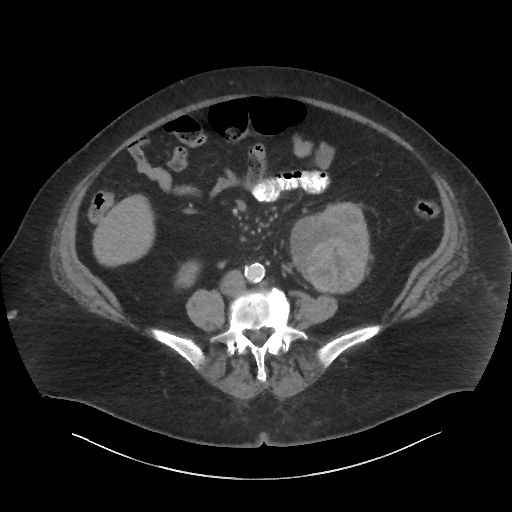
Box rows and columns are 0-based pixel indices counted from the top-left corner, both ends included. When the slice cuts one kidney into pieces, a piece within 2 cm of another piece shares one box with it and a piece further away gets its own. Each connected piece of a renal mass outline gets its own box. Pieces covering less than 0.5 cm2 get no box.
This is axial slice 16 of 86 (slice 1 is the lowest) of an abdominal CT with contrast; each pixel is 0.977 mm and the slice is 3.00 mm thick. Two kidney boxes and one renal mass box on this slice; by box centre, from the image's left to its right: (1) Right kidney, box rows 261–287, columns 175–200 (outlined area 510 px, about 4.9 cm2). (2) Left renal mass at rows 213–284, columns 290–351 (outlined area 3,507 px, about 33.4 cm2). (3) Left kidney, box rows 202–293, columns 312–373 (outlined area 2,388 px, about 22.8 cm2).
Scan settings: 140 kVp, I44f reconstruction kernel.